Arterial-phase contrast-enhanced abdominal CT, axial slice 207 of 670 (counted from the lowest slice); tube voltage 120 kVp, convolution kernel I30f; slices 1.00 mm thick, 0.861 mm per pixel.
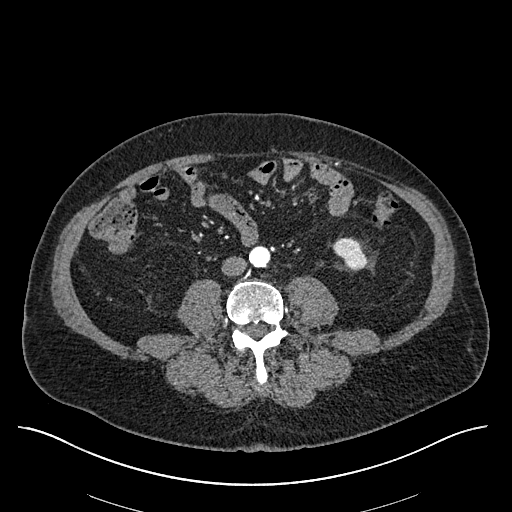
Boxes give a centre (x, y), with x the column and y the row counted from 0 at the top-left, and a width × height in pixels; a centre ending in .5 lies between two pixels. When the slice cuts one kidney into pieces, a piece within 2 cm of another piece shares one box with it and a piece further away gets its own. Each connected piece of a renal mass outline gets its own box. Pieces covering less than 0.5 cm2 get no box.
Left kidney, box centre (349.5, 253.5), 36 × 34 pixels (outlined area 787 px, about 5.8 cm2). No renal mass outline on this slice.